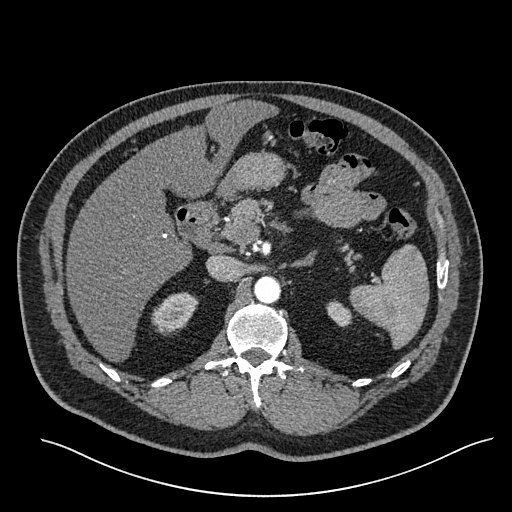
One axial slice (396 of 527, counting up from the lowest) of an arterial-phase abdominal CT acquired with 120 kVp, kernel I30f; each pixel is 0.859 mm and the slice is 1.00 mm thick.
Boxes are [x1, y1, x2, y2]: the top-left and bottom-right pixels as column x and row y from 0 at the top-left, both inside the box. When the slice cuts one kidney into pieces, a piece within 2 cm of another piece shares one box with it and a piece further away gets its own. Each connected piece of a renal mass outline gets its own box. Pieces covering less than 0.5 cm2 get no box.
Two boxes on this slice (two kidney boxes), listed by box centre from the image's left to its right. (1) Right kidney at [151, 292, 198, 335] (outlined area 1,389 px, about 10.3 cm2). (2) Left kidney at [326, 300, 352, 327] (outlined area 487 px, about 3.6 cm2). No renal mass is outlined on this slice.